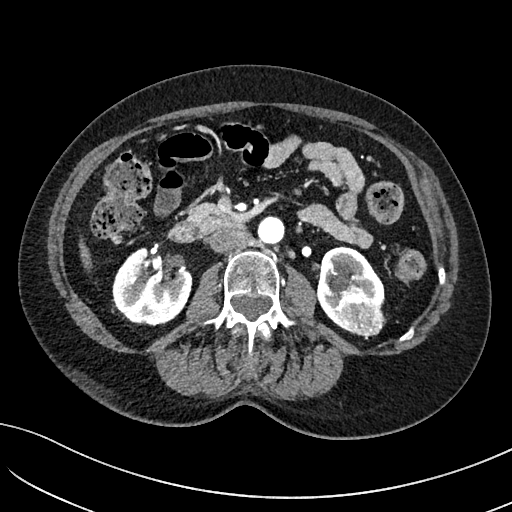
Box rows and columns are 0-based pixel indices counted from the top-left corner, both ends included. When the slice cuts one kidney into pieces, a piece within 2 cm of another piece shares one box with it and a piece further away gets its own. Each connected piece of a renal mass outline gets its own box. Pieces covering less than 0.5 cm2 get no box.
Slice 49/234 of a contrast-enhanced abdominal CT in the arterial phase, counting up from the lowest; pixel size 0.699 mm, slice thickness 2.00 mm. Three boxes on this slice (two kidney boxes and one renal mass box), listed by box centre from the image's left to its right. (1) Right kidney at rows 247–326, columns 112–192 (outlined area 4,663 px, about 22.8 cm2). (2) Box rows 246–319, columns 316–384: left kidney (outlined area 2,861 px, about 14.0 cm2). (3) Box rows 285–337, columns 332–386: left renal mass (outlined area 1,875 px, about 9.2 cm2).
Acquired at 100 kVp and reconstructed with the I40f kernel.